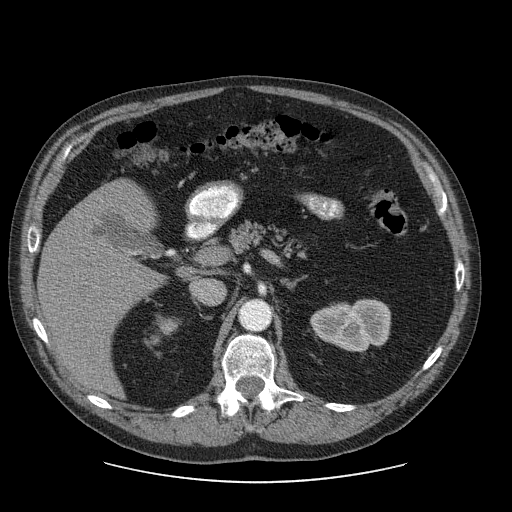
Contrast-enhanced abdominal CT, axial slice 56 of 103 (counted from the lowest slice); tube voltage 120 kVp, convolution kernel STANDARD; slices 2.50 mm thick, 0.820 mm per pixel.
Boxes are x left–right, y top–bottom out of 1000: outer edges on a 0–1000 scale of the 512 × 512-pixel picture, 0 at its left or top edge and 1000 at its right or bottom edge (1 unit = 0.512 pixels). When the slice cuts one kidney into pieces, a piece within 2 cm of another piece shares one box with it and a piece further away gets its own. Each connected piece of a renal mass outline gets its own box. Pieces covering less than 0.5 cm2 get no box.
Two kidney boxes on this slice; by box centre, from the image's left to its right: (1) Right kidney at x 307–350, y 617–654 out of 1000 (outlined area 285 px, about 1.9 cm2). (2) Left kidney, box x 605–766, y 584–689 out of 1000 (outlined area 3,296 px, about 22.2 cm2). This slice carries no renal mass outline.